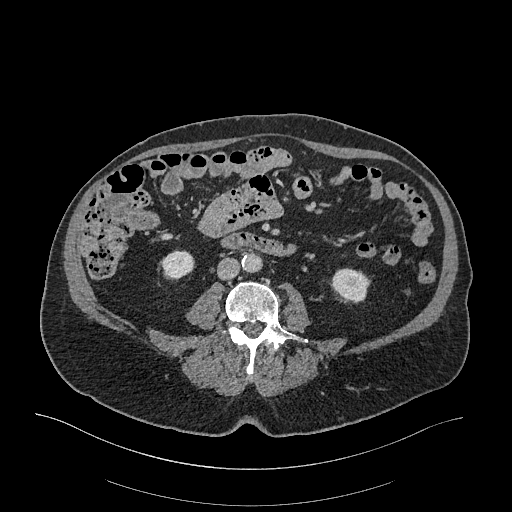
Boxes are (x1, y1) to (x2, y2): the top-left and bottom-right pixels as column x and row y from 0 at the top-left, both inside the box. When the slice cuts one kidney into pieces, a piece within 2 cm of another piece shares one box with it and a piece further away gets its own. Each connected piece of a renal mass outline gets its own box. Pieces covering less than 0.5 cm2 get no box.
Arterial-phase contrast-enhanced abdominal CT, axial slice 75 of 470 (counted from the lowest slice); 1.00 mm thick, 0.938 mm per pixel. Two boxes on this slice (two kidney boxes), listed by box centre from the image's left to its right. (1) Right kidney from (160, 250) to (194, 280) (outlined area 800 px, about 7.0 cm2). (2) Box (331, 268) to (369, 301): left kidney (outlined area 994 px, about 8.7 cm2). No renal mass is outlined on this slice.
Acquired at 120 kVp and reconstructed with the I26f kernel.